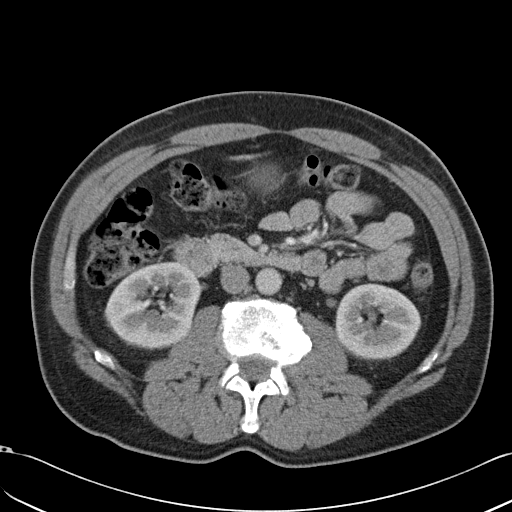
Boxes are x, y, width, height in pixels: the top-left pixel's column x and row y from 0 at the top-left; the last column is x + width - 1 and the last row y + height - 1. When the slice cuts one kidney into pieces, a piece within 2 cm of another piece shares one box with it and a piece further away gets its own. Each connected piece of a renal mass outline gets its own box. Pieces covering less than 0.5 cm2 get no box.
This is axial slice 16 of 49 (slice 1 is the lowest) of an arterial-phase abdominal CT with contrast; each pixel is 0.691 mm and the slice is 5.00 mm thick. Boxed on this slice (two kidney boxes), listed by box centre from the image's left to its right: (1) Right kidney, box x 104, y 261, width 96, height 88 (outlined area 6,301 px, about 30.1 cm2). (2) Left kidney, box x 335, y 283, width 87, height 78 (outlined area 5,144 px, about 24.6 cm2). This slice carries no renal mass outline.
Tube voltage 120 kVp; convolution kernel B31f.